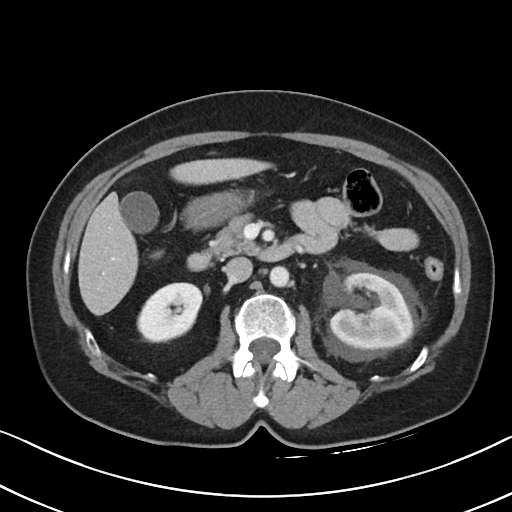
Contrast-enhanced abdominal CT, axial slice 57 of 88 (counted from the lowest slice); tube voltage 100 kVp, convolution kernel I40f; slices 5.00 mm thick, 0.674 mm per pixel.
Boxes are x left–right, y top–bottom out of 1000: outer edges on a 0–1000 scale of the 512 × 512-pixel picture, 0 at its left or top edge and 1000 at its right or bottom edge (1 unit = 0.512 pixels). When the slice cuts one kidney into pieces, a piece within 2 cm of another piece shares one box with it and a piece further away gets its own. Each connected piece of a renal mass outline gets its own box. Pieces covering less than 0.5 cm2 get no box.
Two boxes on this slice (two kidney boxes), listed by box centre from the image's left to its right. (1) Box x 266–396, y 551–672 out of 1000: right kidney (outlined area 2,995 px, about 13.6 cm2). (2) Left kidney at x 643–811, y 533–686 out of 1000 (outlined area 5,060 px, about 23.0 cm2). This slice carries no renal mass outline.